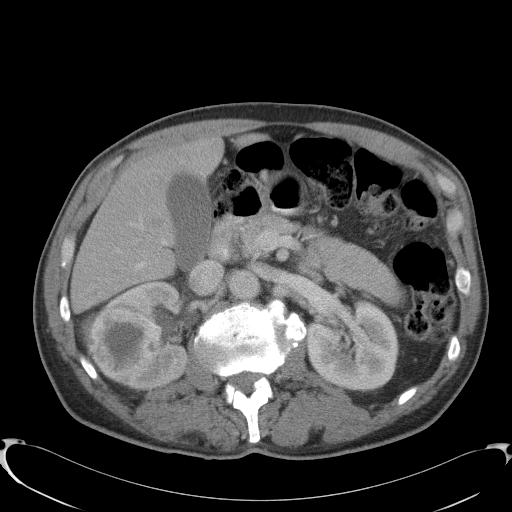
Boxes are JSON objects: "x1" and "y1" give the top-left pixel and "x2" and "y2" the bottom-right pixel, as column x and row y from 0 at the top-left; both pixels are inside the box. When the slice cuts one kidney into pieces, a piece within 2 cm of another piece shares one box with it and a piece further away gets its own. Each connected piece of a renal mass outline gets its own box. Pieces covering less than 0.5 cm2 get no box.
Contrast-enhanced abdominal CT, axial slice 66 of 91 (counted from the lowest slice); 5.00 mm thick, 0.762 mm per pixel. Boxed on this slice (two kidney boxes and one renal mass box), listed by box centre from the image's left to its right: (1) Right renal mass, box {"x1": 88, "y1": 308, "x2": 161, "y2": 384} (outlined area 4,275 px, about 24.8 cm2). (2) Right kidney, box {"x1": 79, "y1": 281, "x2": 188, "y2": 391} (outlined area 4,601 px, about 26.7 cm2). (3) Box {"x1": 307, "y1": 300, "x2": 399, "y2": 390}: left kidney (outlined area 6,552 px, about 38.0 cm2).
Tube voltage 120 kVp; convolution kernel B41f.